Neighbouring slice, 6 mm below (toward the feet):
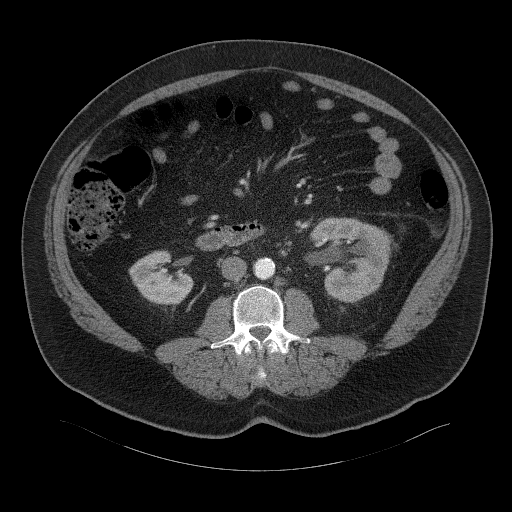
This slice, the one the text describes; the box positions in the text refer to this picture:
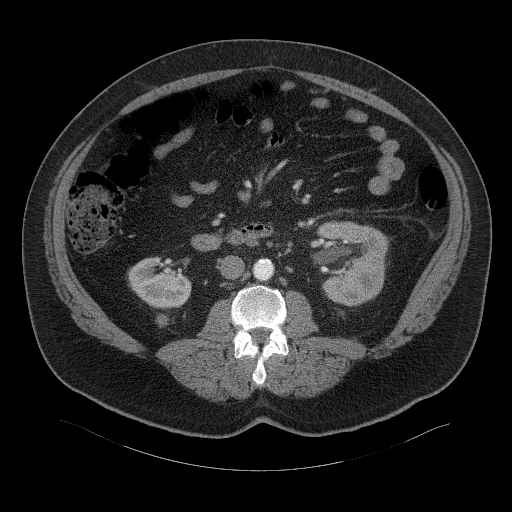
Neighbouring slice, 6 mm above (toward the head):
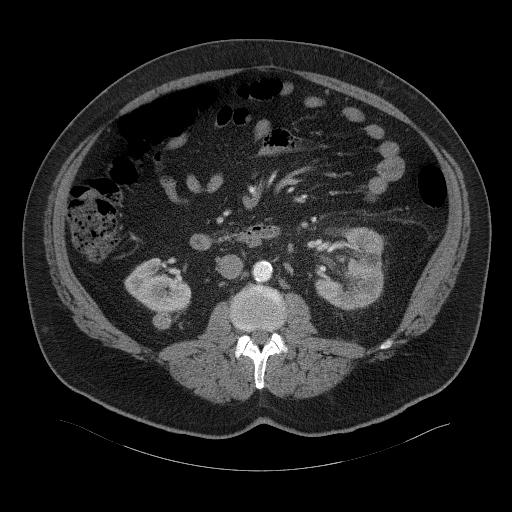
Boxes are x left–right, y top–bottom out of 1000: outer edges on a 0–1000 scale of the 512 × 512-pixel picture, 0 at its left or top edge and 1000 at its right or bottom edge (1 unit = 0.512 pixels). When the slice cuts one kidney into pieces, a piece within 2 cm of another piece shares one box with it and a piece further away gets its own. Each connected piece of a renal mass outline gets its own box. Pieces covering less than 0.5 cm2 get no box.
This is axial slice 21 of 94 (slice 1 is the lowest) of an abdominal CT with contrast; each pixel is 0.977 mm and the slice is 3.00 mm thick. Two kidney boxes and one renal mass box on this slice; by box centre, from the image's left to its right: (1) Box x 250–375, y 500–605 out of 1000: right kidney (outlined area 2,414 px, about 23.0 cm2). (2) Right renal mass at x 305–330, y 613–639 out of 1000 (outlined area 129 px, about 1.2 cm2). (3) Box x 619–760, y 432–600 out of 1000: left kidney (outlined area 4,868 px, about 46.4 cm2). This slice lies near the end of the right renal mass toward the feet; the slices 6 mm below and 6 mm above it are shown too, and the boxes mark positions on this slice only.
Scan settings: 120 kVp, B41f reconstruction kernel.